Contrast-enhanced abdominal CT, axial slice 121 of 153 (counted from the lowest slice); tube voltage 120 kVp, convolution kernel I41f; slices 3.00 mm thick, 0.893 mm per pixel.
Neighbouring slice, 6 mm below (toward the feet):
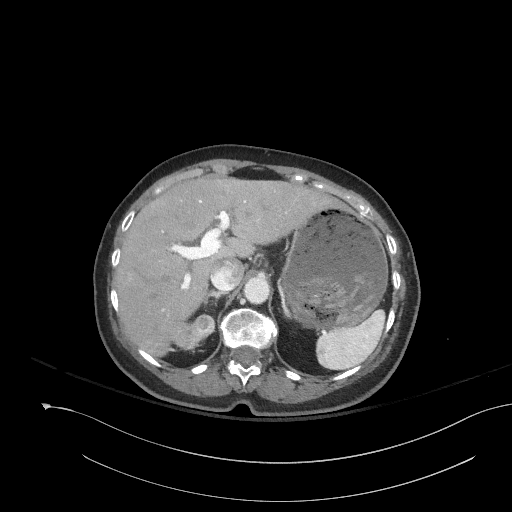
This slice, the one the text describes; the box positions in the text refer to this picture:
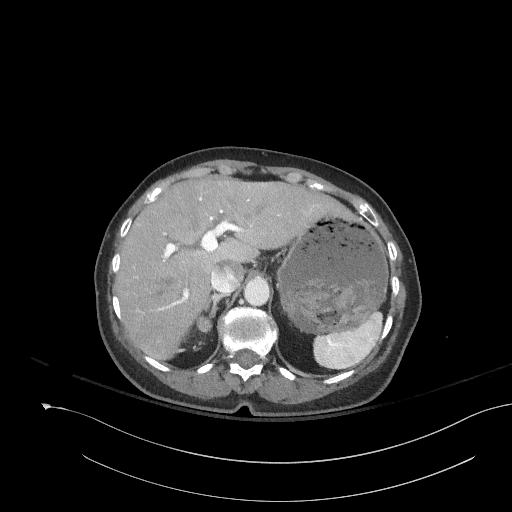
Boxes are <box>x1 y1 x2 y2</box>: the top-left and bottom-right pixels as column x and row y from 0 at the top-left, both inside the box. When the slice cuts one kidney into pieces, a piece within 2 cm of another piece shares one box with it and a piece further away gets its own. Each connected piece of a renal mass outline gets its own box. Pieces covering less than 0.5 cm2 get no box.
Right renal mass: <box>196 316 212 332</box> (outlined area 236 px, about 1.9 cm2); no kidney outline appears on this slice, but the same outlined renal mass comes within 1 cm of the kidney on another slice. This slice is near the end of the right renal mass toward the head, so the slice 6 mm below it is shown as well; the boxes refer to this slice only.